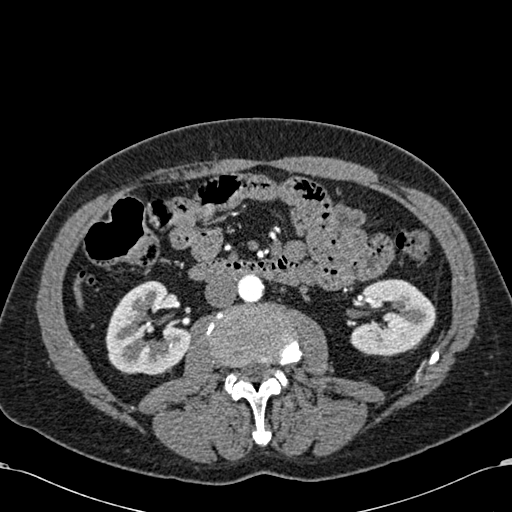
Axial slice 309 of 581 of a contrast-enhanced abdominal CT in the arterial phase (slice 1 is the lowest), 120 kVp, kernel B30f; 1.00 mm slice thickness and 0.713 mm pixels.
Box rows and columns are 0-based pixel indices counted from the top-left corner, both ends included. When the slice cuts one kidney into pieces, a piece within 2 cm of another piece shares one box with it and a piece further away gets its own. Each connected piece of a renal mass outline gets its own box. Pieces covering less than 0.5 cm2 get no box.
Two boxes on this slice (two kidney boxes), listed by box centre from the image's left to its right. (1) Box rows 280–375, columns 105–190: right kidney (outlined area 5,625 px, about 28.6 cm2). (2) Left kidney at rows 279–356, columns 350–436 (outlined area 4,955 px, about 25.2 cm2). No renal mass outline on this slice.